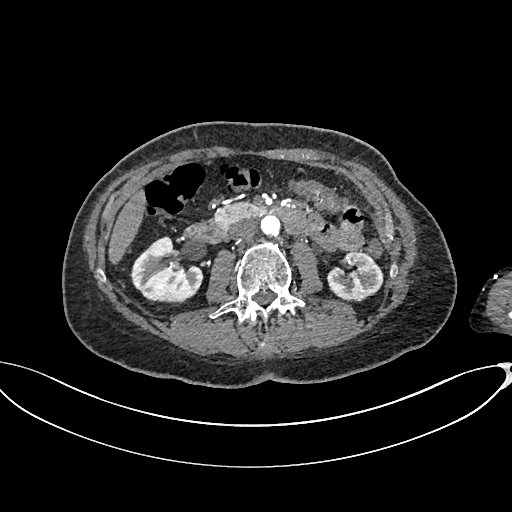
Arterial-phase contrast-enhanced abdominal CT, axial slice 369 of 665 (counted from the lowest slice); tube voltage 100 kVp, convolution kernel I26f; slices 1.00 mm thick, 0.828 mm per pixel.
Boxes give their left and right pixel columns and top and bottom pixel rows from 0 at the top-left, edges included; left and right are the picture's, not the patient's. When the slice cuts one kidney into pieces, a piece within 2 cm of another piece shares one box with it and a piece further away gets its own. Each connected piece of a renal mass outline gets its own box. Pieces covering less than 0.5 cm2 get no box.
Boxed on this slice (two kidney boxes), listed by box centre from the image's left to its right: (1) Right kidney in the box with left 130, top 235, right 203, bottom 304 (outlined area 3,365 px, about 23.1 cm2). (2) Left kidney in the box with left 327, top 251, right 383, bottom 301 (outlined area 2,086 px, about 14.3 cm2). This slice carries no renal mass outline.